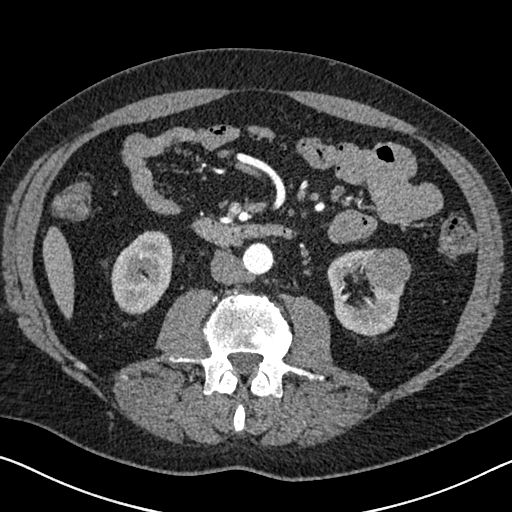
Arterial-phase contrast-enhanced abdominal CT, axial slice 327 of 626 (counted from the lowest slice); tube voltage 120 kVp, convolution kernel I30f; slices 1.00 mm thick, 0.703 mm per pixel.
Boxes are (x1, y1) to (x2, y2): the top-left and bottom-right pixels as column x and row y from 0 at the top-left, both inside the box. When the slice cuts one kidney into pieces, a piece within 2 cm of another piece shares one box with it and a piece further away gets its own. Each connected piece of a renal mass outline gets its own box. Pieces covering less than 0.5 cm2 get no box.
Two kidney boxes and one renal mass box on this slice; by box centre, from the image's left to its right: (1) Box (111, 230) to (173, 314): right kidney (outlined area 3,942 px, about 19.5 cm2). (2) Box (327, 248) to (403, 337): left kidney (outlined area 3,619 px, about 17.9 cm2). (3) Left renal mass from (363, 248) to (411, 292) (outlined area 1,657 px, about 8.2 cm2).